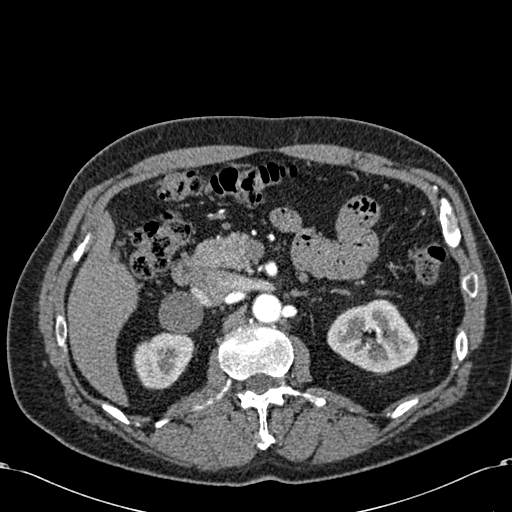
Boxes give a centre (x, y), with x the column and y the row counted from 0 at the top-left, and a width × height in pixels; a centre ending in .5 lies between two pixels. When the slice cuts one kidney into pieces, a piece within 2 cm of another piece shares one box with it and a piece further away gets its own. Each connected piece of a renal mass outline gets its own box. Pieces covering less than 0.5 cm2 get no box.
Arterial-phase contrast-enhanced abdominal CT, axial slice 396 of 581 (counted from the lowest slice); 1.00 mm thick, 0.713 mm per pixel. Two boxes on this slice (two kidney boxes), listed by box centre from the image's left to its right. (1) Box centre (163, 360), 61 × 59 pixels: right kidney (outlined area 2,671 px, about 13.6 cm2). (2) Left kidney in a box with centre (372.5, 335.5), 92 × 74 pixels (outlined area 4,810 px, about 24.4 cm2). No renal mass outline on this slice.
Tube voltage 120 kVp; convolution kernel B30f.